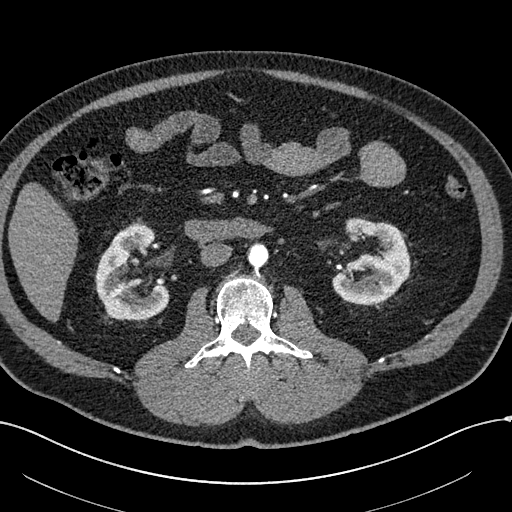
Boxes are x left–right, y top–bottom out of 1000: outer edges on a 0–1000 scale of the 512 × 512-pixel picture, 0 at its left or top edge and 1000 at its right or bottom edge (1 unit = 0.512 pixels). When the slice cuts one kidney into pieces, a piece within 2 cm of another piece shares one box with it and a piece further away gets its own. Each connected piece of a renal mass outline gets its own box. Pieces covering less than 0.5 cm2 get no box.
Arterial-phase contrast-enhanced abdominal CT, axial slice 299 of 602 (counted from the lowest slice); 1.00 mm thick, 0.799 mm per pixel. Two kidney boxes on this slice; by box centre, from the image's left to its right: (1) Right kidney at x 186–332, y 436–627 out of 1000 (outlined area 4,805 px, about 30.7 cm2). (2) Box x 646–803, y 424–598 out of 1000: left kidney (outlined area 4,741 px, about 30.3 cm2). This slice carries no renal mass outline.
Tube voltage 120 kVp; convolution kernel I30f.